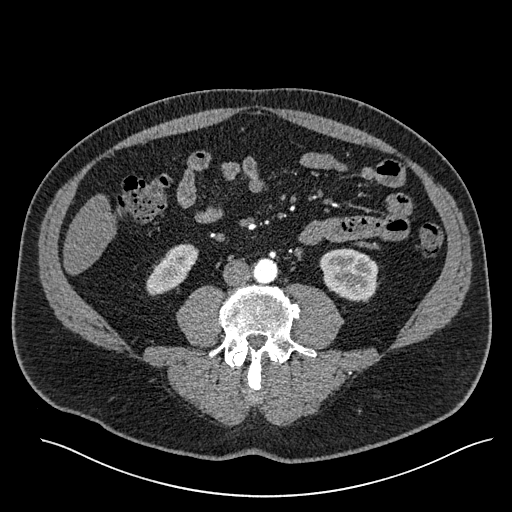
Abdominal CT with intravenous contrast, arterial phase, axial plane, 120 kVp, kernel I30f. Slice 211/527 from the bottom of the scan; thickness 1.00 mm; pixel size 0.859 mm.
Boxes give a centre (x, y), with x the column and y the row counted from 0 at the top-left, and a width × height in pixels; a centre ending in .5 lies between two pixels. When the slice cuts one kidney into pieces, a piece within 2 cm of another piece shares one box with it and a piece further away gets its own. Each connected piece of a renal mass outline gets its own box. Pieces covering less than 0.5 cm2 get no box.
Boxed on this slice (two kidney boxes), listed by box centre from the image's left to its right: (1) Box centre (172, 269.5), 53 × 52 pixels: right kidney (outlined area 1,633 px, about 12.1 cm2). (2) Left kidney in a box with centre (349, 275), 61 × 55 pixels (outlined area 2,489 px, about 18.4 cm2). No renal mass is outlined on this slice.